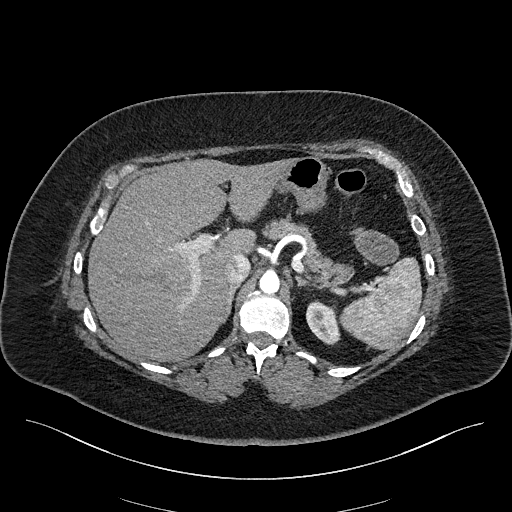
One axial slice (162 of 270, counting up from the lowest) of an arterial-phase abdominal CT acquired with 100 kVp, kernel I40f; each pixel is 0.855 mm and the slice is 2.00 mm thick.
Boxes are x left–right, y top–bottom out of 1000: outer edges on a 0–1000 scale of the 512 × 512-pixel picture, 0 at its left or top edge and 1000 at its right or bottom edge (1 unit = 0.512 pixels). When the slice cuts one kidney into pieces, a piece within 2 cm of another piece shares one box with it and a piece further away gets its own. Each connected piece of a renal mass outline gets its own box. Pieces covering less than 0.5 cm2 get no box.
Left kidney at x 598–666, y 586–676 out of 1000 (outlined area 1,119 px, about 8.2 cm2). No renal mass outline on this slice.